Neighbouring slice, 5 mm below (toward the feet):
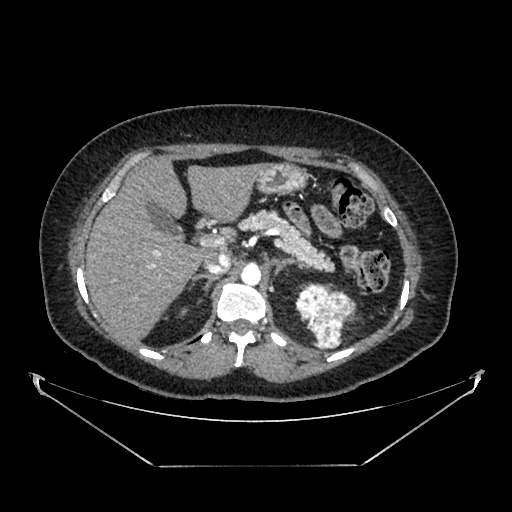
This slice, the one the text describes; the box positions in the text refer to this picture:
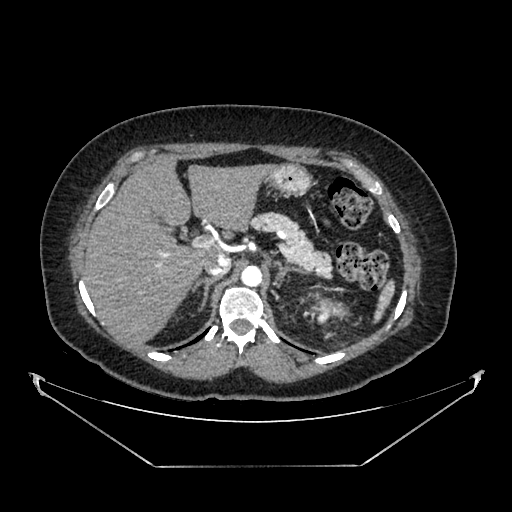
Arterial-phase contrast-enhanced abdominal CT, axial slice 272 of 383 (counted from the lowest slice); tube voltage 100 kVp, convolution kernel SOFT; slices 1.25 mm thick, 0.898 mm per pixel.
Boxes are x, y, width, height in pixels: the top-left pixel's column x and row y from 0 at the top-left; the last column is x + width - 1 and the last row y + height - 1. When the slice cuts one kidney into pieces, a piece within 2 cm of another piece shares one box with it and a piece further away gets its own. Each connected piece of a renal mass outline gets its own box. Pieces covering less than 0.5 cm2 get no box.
Box x 318, y 304, width 18, height 15: left renal mass (outlined area 205 px, about 1.7 cm2); no kidney is outlined on this slice, but the same outlined renal mass comes within 1 cm of the kidney on another slice. This slice lies near the end of the left renal mass toward the head; the slice 5 mm below it is shown too, and the boxes mark positions on this slice only.